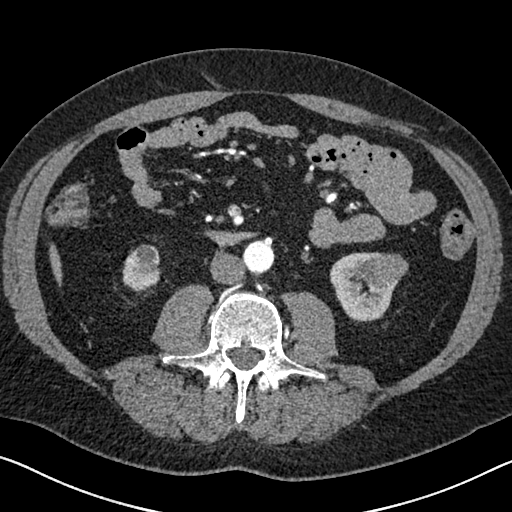
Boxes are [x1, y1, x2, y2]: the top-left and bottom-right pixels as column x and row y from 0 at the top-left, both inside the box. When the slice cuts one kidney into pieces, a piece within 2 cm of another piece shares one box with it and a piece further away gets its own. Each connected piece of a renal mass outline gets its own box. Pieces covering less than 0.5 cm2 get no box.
Arterial-phase contrast-enhanced abdominal CT, axial slice 307 of 626 (counted from the lowest slice); 1.00 mm thick, 0.703 mm per pixel. Two kidney boxes and one renal mass box on this slice; by box centre, from the image's left to its right: (1) Box [122, 244, 160, 293]: right kidney (outlined area 1,436 px, about 7.1 cm2). (2) Left kidney at [330, 252, 397, 321] (outlined area 2,608 px, about 12.9 cm2). (3) Left renal mass, box [356, 252, 408, 285] (outlined area 1,347 px, about 6.7 cm2).
Tube voltage 120 kVp; convolution kernel I30f.